Abdominal CT with intravenous contrast, arterial phase, axial plane, 140 kVp, kernel I41f. Slice 1/61 from the bottom of the scan; thickness 3.00 mm; pixel size 0.947 mm.
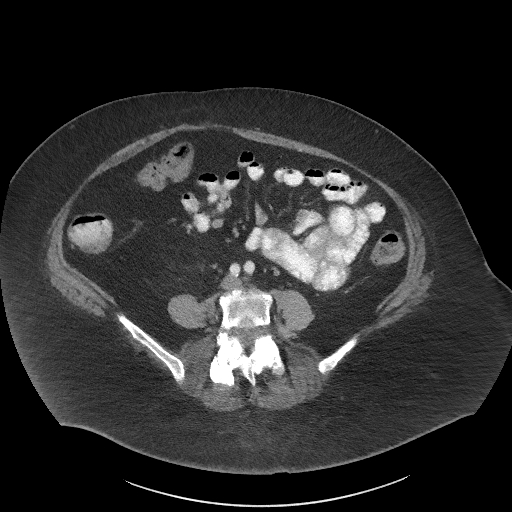
No kidney and no renal mass is outlined on this slice; the outlines in this scan cover only the kidneys and the renal masses, so nothing is said about any other organ.